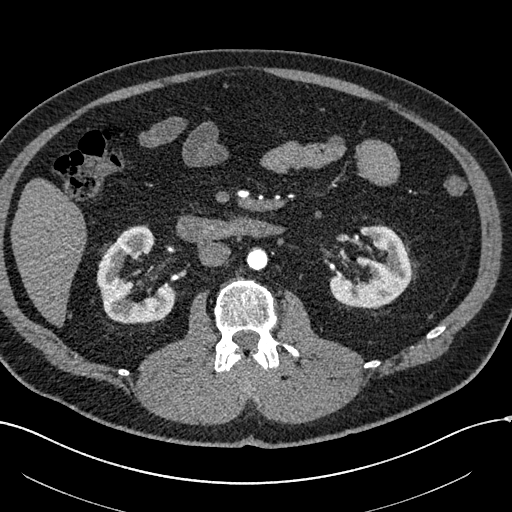
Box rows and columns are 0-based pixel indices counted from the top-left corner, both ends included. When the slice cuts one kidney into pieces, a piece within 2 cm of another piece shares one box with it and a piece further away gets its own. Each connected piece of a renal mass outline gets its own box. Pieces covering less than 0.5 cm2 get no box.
Arterial-phase contrast-enhanced abdominal CT, axial slice 316 of 602 (counted from the lowest slice); 1.00 mm thick, 0.799 mm per pixel. Boxed on this slice (two kidney boxes), listed by box centre from the image's left to its right: (1) Right kidney at rows 225–323, columns 96–175 (outlined area 4,640 px, about 29.6 cm2). (2) Left kidney, box rows 225–308, columns 329–411 (outlined area 4,404 px, about 28.1 cm2). No renal mass is outlined on this slice.
Acquired at 120 kVp and reconstructed with the I30f kernel.